Arterial-phase contrast-enhanced abdominal CT, axial slice 334 of 553 (counted from the lowest slice); tube voltage 120 kVp, convolution kernel B20f; slices 1.00 mm thick, 0.773 mm per pixel.
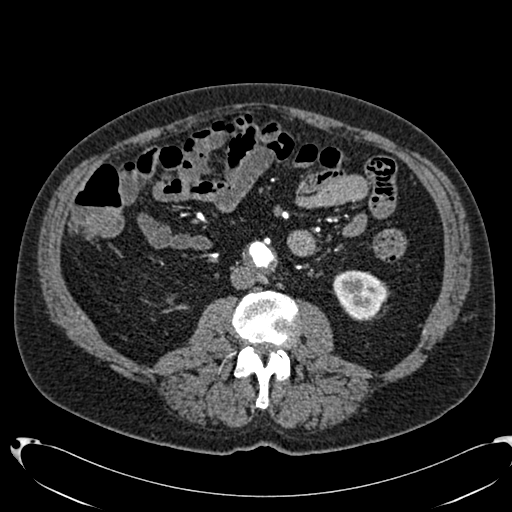
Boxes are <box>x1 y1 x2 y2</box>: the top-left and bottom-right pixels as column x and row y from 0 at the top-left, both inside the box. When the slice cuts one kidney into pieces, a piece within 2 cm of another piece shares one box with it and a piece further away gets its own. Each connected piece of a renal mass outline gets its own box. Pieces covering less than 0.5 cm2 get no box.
Left kidney: <box>333 270 385 319</box> (outlined area 1,980 px, about 11.8 cm2). This slice carries no renal mass outline.